Axial slice 120 of 197 of a contrast-enhanced abdominal CT (slice 1 is the lowest), 120 kVp, kernel I30f; 5.00 mm slice thickness and 0.791 mm pixels.
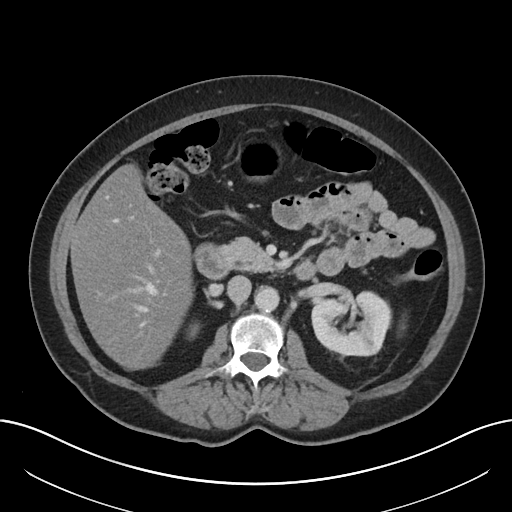
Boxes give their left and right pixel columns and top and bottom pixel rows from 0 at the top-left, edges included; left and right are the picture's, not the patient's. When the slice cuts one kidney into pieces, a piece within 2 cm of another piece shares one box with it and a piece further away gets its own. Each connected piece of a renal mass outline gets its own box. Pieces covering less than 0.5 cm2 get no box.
Two boxes on this slice (two kidney boxes), listed by box centre from the image's left to its right. (1) Right kidney, the box with left 188, top 323, right 199, bottom 338 (outlined area 142 px, about 0.9 cm2). (2) Left kidney, the box with left 311, top 290, right 392, bottom 356 (outlined area 4,158 px, about 26.0 cm2). No renal mass outline on this slice.